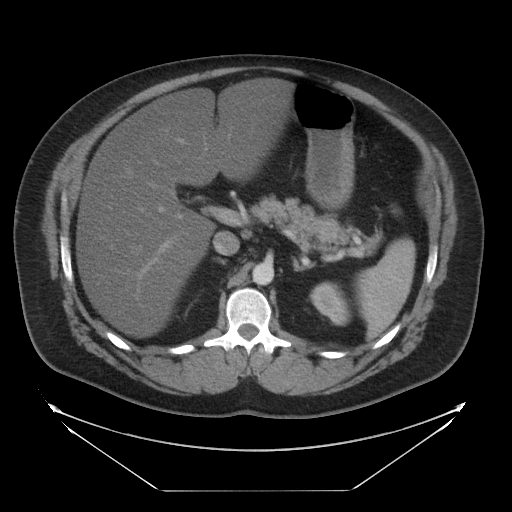
Abdominal CT with intravenous contrast, axial plane, 120 kVp, kernel STANDARD. Slice 25/29 from the bottom of the scan; thickness 5.00 mm; pixel size 0.977 mm.
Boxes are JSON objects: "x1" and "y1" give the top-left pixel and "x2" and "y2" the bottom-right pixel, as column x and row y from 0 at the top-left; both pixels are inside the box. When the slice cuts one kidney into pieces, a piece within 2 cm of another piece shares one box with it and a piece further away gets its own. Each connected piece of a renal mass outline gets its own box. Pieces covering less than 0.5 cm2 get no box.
Left kidney at {"x1": 310, "y1": 281, "x2": 351, "y2": 325} (outlined area 1,233 px, about 11.8 cm2). This slice carries no renal mass outline.